Abdominal CT with intravenous contrast, arterial phase, axial plane, 120 kVp, kernel FC19. Slice 49/85 from the bottom of the scan; thickness 5.00 mm; pixel size 1.041 mm.
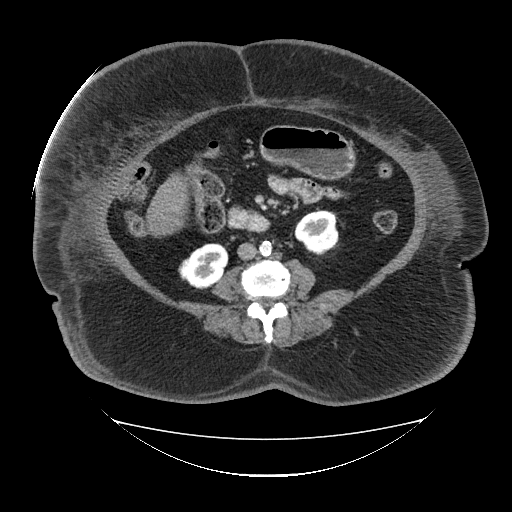
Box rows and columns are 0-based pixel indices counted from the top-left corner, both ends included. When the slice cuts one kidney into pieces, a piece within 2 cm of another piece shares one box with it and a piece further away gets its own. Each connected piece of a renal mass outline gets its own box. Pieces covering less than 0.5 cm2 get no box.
Boxed on this slice (two kidney boxes), listed by box centre from the image's left to its right: (1) Box rows 243–289, columns 178–228: right kidney (outlined area 1,663 px, about 18.0 cm2). (2) Box rows 210–255, columns 294–338: left kidney (outlined area 1,523 px, about 16.5 cm2). No renal mass outline on this slice.